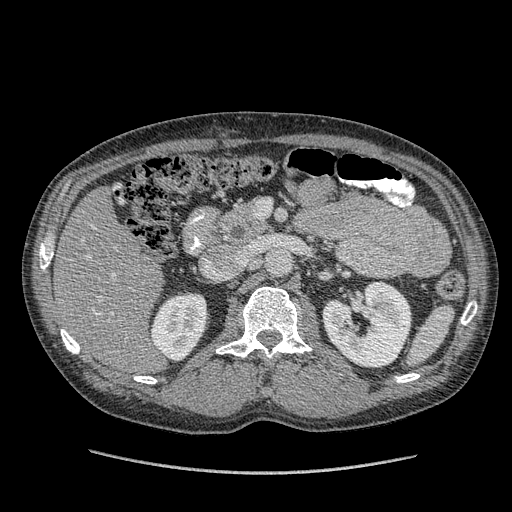
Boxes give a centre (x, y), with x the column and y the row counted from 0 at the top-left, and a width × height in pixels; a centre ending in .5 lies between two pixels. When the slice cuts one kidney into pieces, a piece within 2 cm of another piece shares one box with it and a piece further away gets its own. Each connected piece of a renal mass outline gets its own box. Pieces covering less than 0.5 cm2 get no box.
This is axial slice 228 of 349 (slice 1 is the lowest) of an arterial-phase abdominal CT with contrast; each pixel is 0.742 mm and the slice is 1.25 mm thick. Two boxes on this slice (two kidney boxes), listed by box centre from the image's left to its right. (1) Box centre (178, 325.5), 61 × 70 pixels: right kidney (outlined area 3,034 px, about 16.7 cm2). (2) Left kidney, box centre (366.5, 324), 90 × 89 pixels (outlined area 5,794 px, about 31.9 cm2). This slice carries no renal mass outline.
Scan settings: 120 kVp, STANDARD reconstruction kernel.